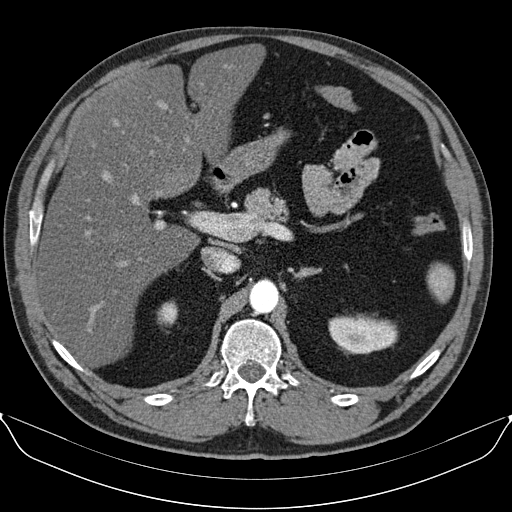
Axial slice 70 of 96 of a contrast-enhanced abdominal CT in the arterial phase (slice 1 is the lowest), 130 kVp, kernel B30s; 3.00 mm slice thickness and 0.781 mm pixels.
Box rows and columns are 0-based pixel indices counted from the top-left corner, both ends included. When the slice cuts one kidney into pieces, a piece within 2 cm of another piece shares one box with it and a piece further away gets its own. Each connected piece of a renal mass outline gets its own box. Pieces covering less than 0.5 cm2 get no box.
Two boxes on this slice (two kidney boxes), listed by box centre from the image's left to its right. (1) Right kidney at rows 300–326, columns 157–178 (outlined area 427 px, about 2.6 cm2). (2) Box rows 316–354, columns 328–398: left kidney (outlined area 2,159 px, about 13.2 cm2). No renal mass is outlined on this slice.